Axial slice 104 of 159 of a contrast-enhanced abdominal CT (slice 1 is the lowest), 120 kVp, kernel FC13; 3.00 mm slice thickness and 0.668 mm pixels.
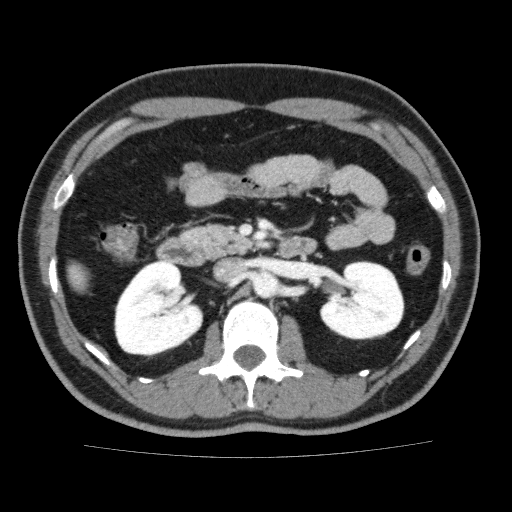
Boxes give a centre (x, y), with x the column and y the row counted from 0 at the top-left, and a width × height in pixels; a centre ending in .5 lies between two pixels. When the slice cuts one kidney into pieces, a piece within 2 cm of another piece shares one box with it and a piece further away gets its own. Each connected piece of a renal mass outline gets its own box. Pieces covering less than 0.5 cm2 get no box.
Boxed on this slice (two kidney boxes), listed by box centre from the image's left to its right: (1) Right kidney in a box with centre (158.5, 308.5), 90 × 96 pixels (outlined area 6,278 px, about 28.0 cm2). (2) Left kidney in a box with centre (361.5, 299), 86 × 79 pixels (outlined area 5,060 px, about 22.6 cm2). This slice carries no renal mass outline.